Abdominal CT with intravenous contrast, axial plane, 130 kVp, kernel B30s. Slice 58/98 from the bottom of the scan; thickness 5.00 mm; pixel size 0.840 mm.
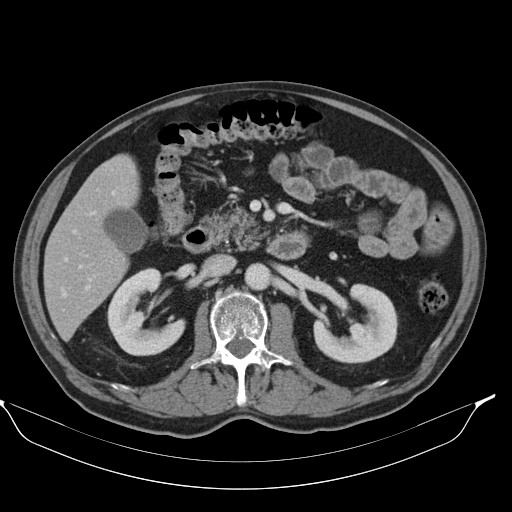
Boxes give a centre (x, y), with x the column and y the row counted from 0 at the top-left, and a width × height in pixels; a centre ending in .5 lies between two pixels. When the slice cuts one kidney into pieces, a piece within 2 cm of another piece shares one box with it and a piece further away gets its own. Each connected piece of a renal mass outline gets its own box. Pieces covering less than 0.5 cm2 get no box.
Two boxes on this slice (two kidney boxes), listed by box centre from the image's left to its right. (1) Right kidney in a box with centre (146, 311), 77 × 87 pixels (outlined area 4,136 px, about 29.2 cm2). (2) Left kidney in a box with centre (355.5, 323), 86 × 81 pixels (outlined area 4,455 px, about 31.4 cm2). This slice carries no renal mass outline.